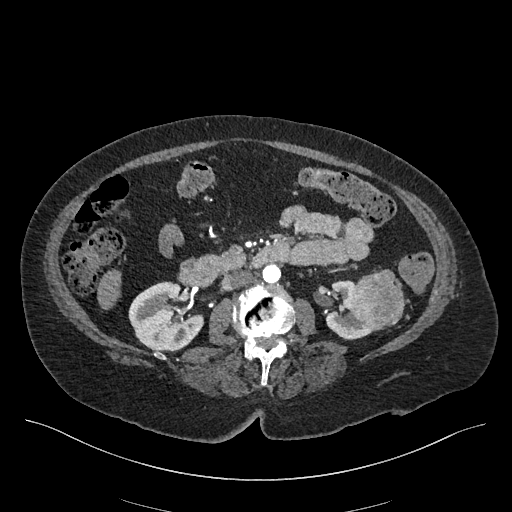
Abdominal CT with intravenous contrast, arterial phase, axial plane, 120 kVp, kernel I26f. Slice 233/548 from the bottom of the scan; thickness 1.00 mm; pixel size 0.852 mm.
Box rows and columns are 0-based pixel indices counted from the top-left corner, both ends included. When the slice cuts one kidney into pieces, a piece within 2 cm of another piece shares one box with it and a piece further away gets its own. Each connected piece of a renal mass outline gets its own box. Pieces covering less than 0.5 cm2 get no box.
Two kidney boxes and one renal mass box on this slice; by box centre, from the image's left to its right: (1) Right kidney, box rows 281–351, columns 128–204 (outlined area 3,834 px, about 27.8 cm2). (2) Left kidney, box rows 280–339, columns 325–381 (outlined area 1,678 px, about 12.2 cm2). (3) Left renal mass, box rows 269–328, columns 351–404 (outlined area 2,464 px, about 17.9 cm2).